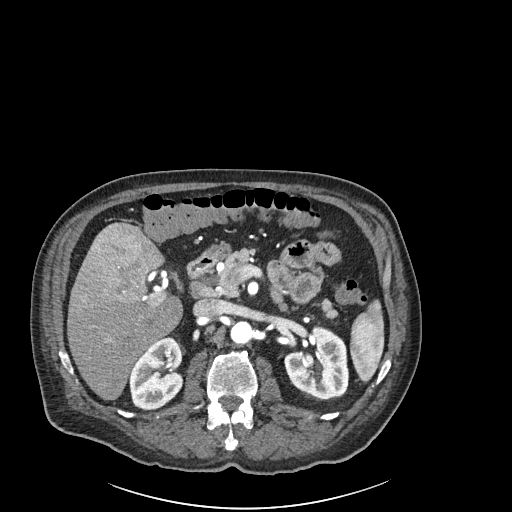
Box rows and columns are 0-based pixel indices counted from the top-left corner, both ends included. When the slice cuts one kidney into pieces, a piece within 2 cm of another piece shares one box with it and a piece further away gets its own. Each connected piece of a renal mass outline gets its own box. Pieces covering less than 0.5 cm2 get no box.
This is axial slice 130 of 261 (slice 1 is the lowest) of an arterial-phase abdominal CT with contrast; each pixel is 0.939 mm and the slice is 2.00 mm thick. Boxed on this slice (two kidney boxes), listed by box centre from the image's left to its right: (1) Box rows 336–409, columns 128–184: right kidney (outlined area 3,005 px, about 26.5 cm2). (2) Left kidney, box rows 327–399, columns 284–348 (outlined area 3,415 px, about 30.1 cm2). No renal mass is outlined on this slice.
Tube voltage 120 kVp; convolution kernel I30f.